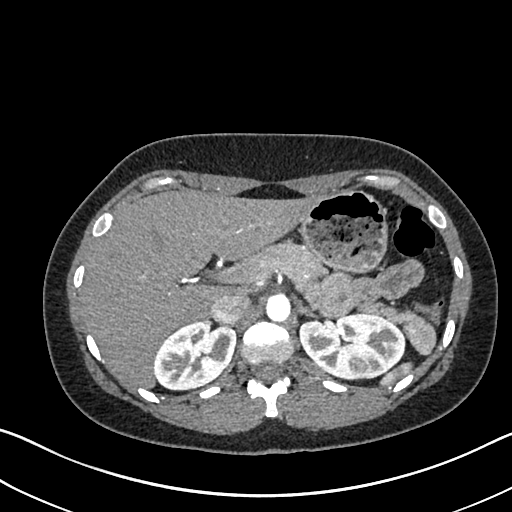
Abdominal CT with intravenous contrast, arterial phase, axial plane, 120 kVp, kernel I30f. Slice 491/612 from the bottom of the scan; thickness 1.00 mm; pixel size 0.703 mm.
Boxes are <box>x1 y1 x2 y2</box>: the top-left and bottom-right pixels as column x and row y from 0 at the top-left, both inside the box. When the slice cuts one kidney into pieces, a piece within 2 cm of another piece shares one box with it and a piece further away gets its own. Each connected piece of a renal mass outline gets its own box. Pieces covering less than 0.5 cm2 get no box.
Two boxes on this slice (two kidney boxes), listed by box centre from the image's left to its right. (1) Right kidney at <box>153 319 236 389</box> (outlined area 4,280 px, about 21.2 cm2). (2) Left kidney: <box>299 311 405 380</box> (outlined area 5,624 px, about 27.8 cm2).